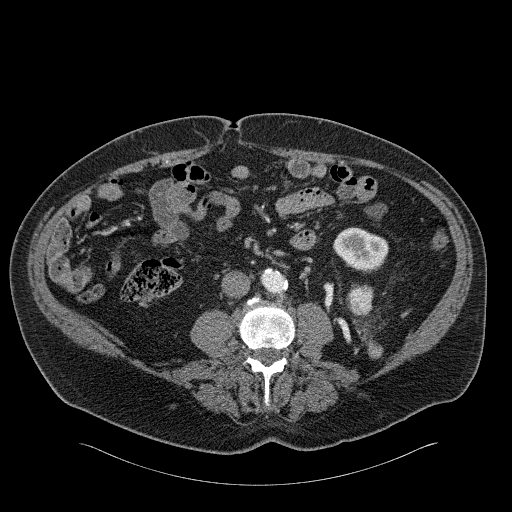
Arterial-phase contrast-enhanced abdominal CT, axial slice 67 of 326 (counted from the lowest slice); tube voltage 120 kVp, convolution kernel B31f; slices 2.00 mm thick, 0.963 mm per pixel.
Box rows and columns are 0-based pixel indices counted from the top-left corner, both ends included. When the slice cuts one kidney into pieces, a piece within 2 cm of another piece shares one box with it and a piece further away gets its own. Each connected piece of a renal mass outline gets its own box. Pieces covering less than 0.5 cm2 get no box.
Boxed on this slice (one kidney box and one renal mass box), listed by box centre from the image's left to its right: (1) Left renal mass at rows 284–314, columns 346–373 (outlined area 690 px, about 6.4 cm2); on this slice it lies more than 1 cm from any kidney outline, but the same outlined renal mass comes within 1 cm of the kidney on another slice. (2) Box rows 227–271, columns 333–388: left kidney (outlined area 1,827 px, about 16.9 cm2).